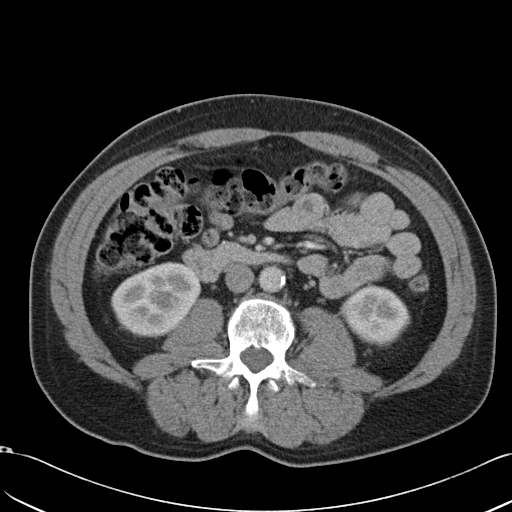
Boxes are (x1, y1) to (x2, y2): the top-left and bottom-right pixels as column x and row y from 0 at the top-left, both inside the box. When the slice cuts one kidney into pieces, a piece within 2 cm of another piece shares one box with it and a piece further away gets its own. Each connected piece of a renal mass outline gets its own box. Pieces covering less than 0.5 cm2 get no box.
Arterial-phase contrast-enhanced abdominal CT, axial slice 13 of 49 (counted from the lowest slice); 5.00 mm thick, 0.691 mm per pixel. Two kidney boxes on this slice; by box centre, from the image's left to its right: (1) Box (111, 262) to (201, 338): right kidney (outlined area 4,891 px, about 23.4 cm2). (2) Left kidney from (339, 286) to (410, 346) (outlined area 3,068 px, about 14.7 cm2). This slice carries no renal mass outline.
Tube voltage 120 kVp; convolution kernel B31f.